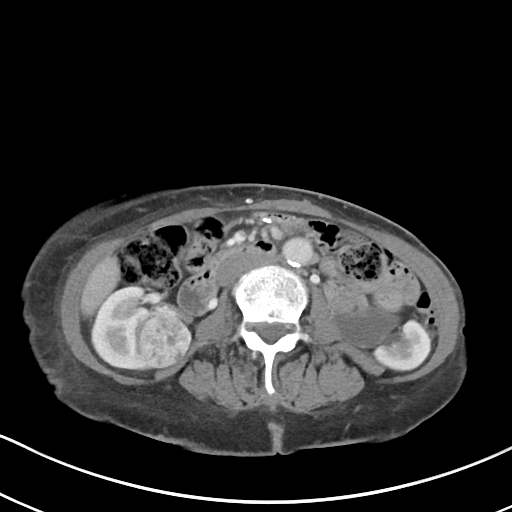
Axial slice 51 of 80 of a contrast-enhanced abdominal CT in the arterial phase (slice 1 is the lowest), 100 kVp, kernel I40f; 5.00 mm slice thickness and 0.648 mm pixels.
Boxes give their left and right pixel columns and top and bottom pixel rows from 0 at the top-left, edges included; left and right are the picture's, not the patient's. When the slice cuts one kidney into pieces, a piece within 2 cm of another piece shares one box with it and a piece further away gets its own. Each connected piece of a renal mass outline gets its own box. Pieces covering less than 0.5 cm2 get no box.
Three boxes on this slice (two kidney boxes and one renal mass box), listed by box centre from the image's left to its right. (1) Box with left 92, top 287, right 171, bottom 369: right kidney (outlined area 3,955 px, about 16.6 cm2). (2) Right renal mass in the box with left 140, top 311, right 190, bottom 367 (outlined area 2,100 px, about 8.8 cm2). (3) Left kidney in the box with left 337, top 307, right 429, bottom 369 (outlined area 3,553 px, about 14.9 cm2).